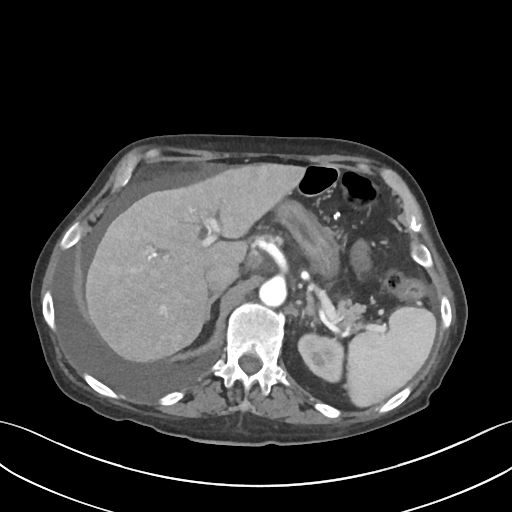
Contrast-enhanced abdominal CT, axial slice 65 of 109 (counted from the lowest slice); tube voltage 120 kVp, convolution kernel I30f; slices 3.00 mm thick, 0.742 mm per pixel.
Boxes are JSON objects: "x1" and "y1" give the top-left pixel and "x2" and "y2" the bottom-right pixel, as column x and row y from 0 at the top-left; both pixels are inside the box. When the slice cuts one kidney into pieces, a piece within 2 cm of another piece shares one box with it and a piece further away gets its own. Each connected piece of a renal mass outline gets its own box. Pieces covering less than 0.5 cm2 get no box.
Left kidney at {"x1": 297, "y1": 330, "x2": 343, "y2": 383} (outlined area 1,844 px, about 10.2 cm2). This slice carries no renal mass outline.